Arterial-phase contrast-enhanced abdominal CT, axial slice 55 of 96 (counted from the lowest slice); tube voltage 120 kVp, convolution kernel STANDARD; slices 2.50 mm thick, 0.689 mm per pixel.
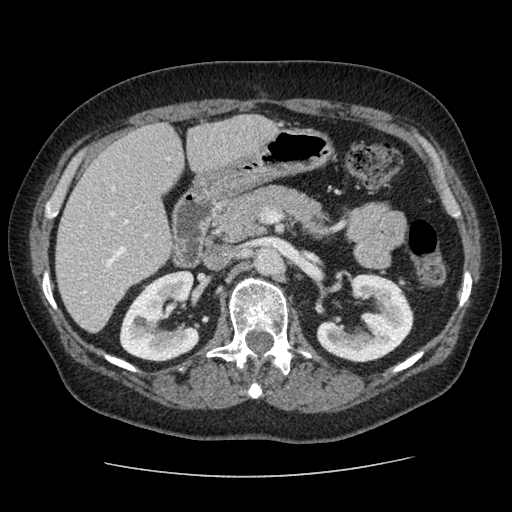
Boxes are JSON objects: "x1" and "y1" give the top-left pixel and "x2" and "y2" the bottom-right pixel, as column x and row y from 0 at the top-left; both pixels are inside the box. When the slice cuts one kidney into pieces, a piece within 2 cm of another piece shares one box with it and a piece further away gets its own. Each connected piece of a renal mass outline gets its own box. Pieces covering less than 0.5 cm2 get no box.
Two boxes on this slice (two kidney boxes), listed by box centre from the image's left to its right. (1) Right kidney at {"x1": 119, "y1": 270, "x2": 200, "y2": 362} (outlined area 5,182 px, about 24.6 cm2). (2) Left kidney at {"x1": 316, "y1": 273, "x2": 413, "y2": 362} (outlined area 5,329 px, about 25.3 cm2). No renal mass outline on this slice.